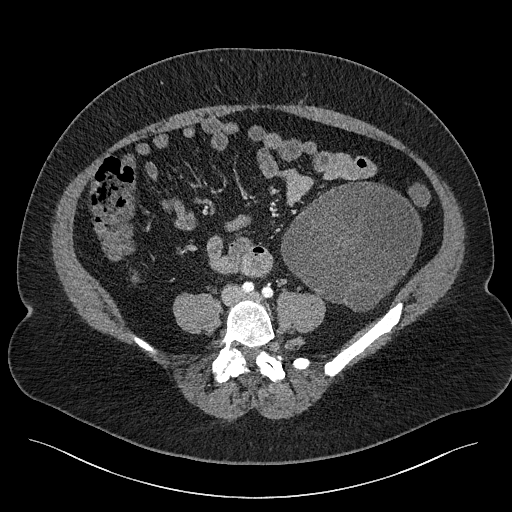
Axial slice 56 of 301 of a contrast-enhanced abdominal CT (slice 1 is the lowest), 120 kVp, kernel I40f; 2.00 mm slice thickness and 0.859 mm pixels.
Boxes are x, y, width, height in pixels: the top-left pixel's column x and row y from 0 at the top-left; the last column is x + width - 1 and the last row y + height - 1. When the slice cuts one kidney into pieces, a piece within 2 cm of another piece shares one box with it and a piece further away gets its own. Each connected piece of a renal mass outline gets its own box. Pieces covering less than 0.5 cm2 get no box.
Box x 281, y 180, width 141, height 132: left renal mass (outlined area 13,049 px, about 96.4 cm2); no kidney outline appears on this slice, but the same outlined renal mass comes within 1 cm of the kidney on another slice.